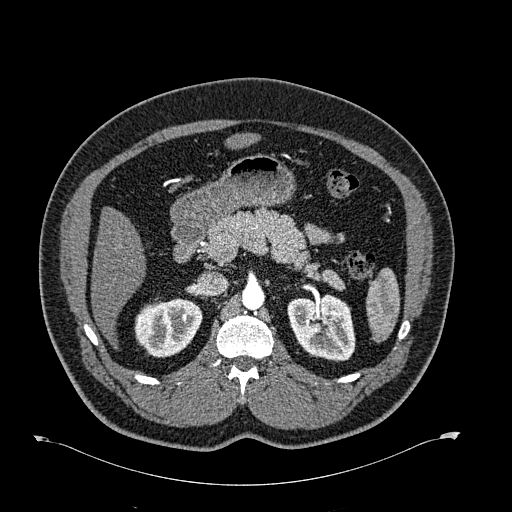
Arterial-phase contrast-enhanced abdominal CT, axial slice 420 of 723 (counted from the lowest slice); tube voltage 120 kVp, convolution kernel B30f; slices 1.00 mm thick, 0.895 mm per pixel.
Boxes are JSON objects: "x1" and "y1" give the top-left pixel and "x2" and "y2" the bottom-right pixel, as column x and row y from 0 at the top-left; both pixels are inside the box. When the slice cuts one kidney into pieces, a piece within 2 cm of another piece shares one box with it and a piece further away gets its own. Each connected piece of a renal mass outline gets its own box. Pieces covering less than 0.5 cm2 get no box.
Two kidney boxes on this slice; by box centre, from the image's left to its right: (1) Box {"x1": 134, "y1": 298, "x2": 202, "y2": 357}: right kidney (outlined area 3,121 px, about 25.0 cm2). (2) Box {"x1": 287, "y1": 293, "x2": 355, "y2": 361}: left kidney (outlined area 3,639 px, about 29.1 cm2). This slice carries no renal mass outline.